One axial slice (310 of 683, counting up from the lowest) of an arterial-phase abdominal CT acquired with 120 kVp, kernel I30f; each pixel is 0.738 mm and the slice is 1.00 mm thick.
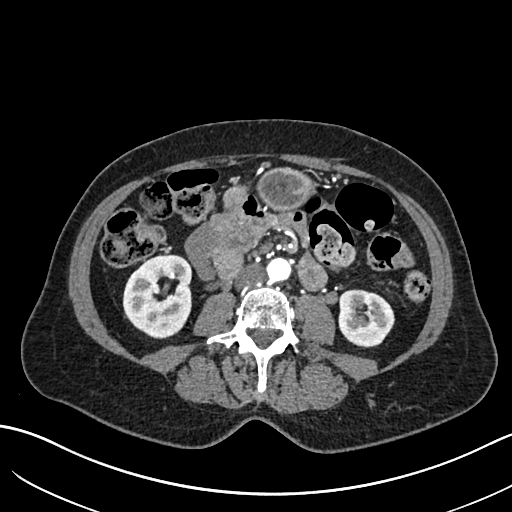
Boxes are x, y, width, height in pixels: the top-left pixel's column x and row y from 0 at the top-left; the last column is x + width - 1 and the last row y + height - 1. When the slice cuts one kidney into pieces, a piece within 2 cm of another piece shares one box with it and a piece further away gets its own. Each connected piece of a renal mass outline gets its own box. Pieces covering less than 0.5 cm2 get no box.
Boxed on this slice (two kidney boxes), listed by box centre from the image's left to its right: (1) Box x 122, y 255, width 70, height 84: right kidney (outlined area 4,545 px, about 24.8 cm2). (2) Box x 339, y 289, width 56, height 59: left kidney (outlined area 2,622 px, about 14.3 cm2). No renal mass is outlined on this slice.